Axial slice 41 of 69 of a contrast-enhanced abdominal CT (slice 1 is the lowest), 140 kVp, kernel I41f; 3.00 mm slice thickness and 0.736 mm pixels.
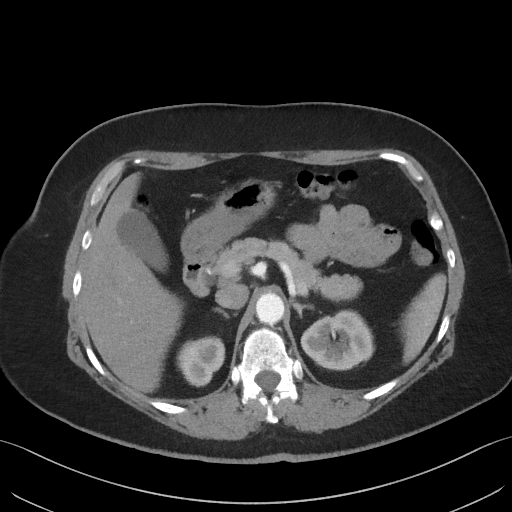
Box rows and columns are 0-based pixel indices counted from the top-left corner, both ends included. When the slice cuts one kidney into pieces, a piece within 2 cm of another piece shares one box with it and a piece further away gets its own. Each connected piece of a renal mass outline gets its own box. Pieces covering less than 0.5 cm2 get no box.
Boxed on this slice (two kidney boxes), listed by box centre from the image's left to its right: (1) Right kidney, box rows 336–387, columns 176–225 (outlined area 1,860 px, about 10.1 cm2). (2) Left kidney, box rows 310–370, columns 304–374 (outlined area 3,269 px, about 17.7 cm2). No renal mass outline on this slice.